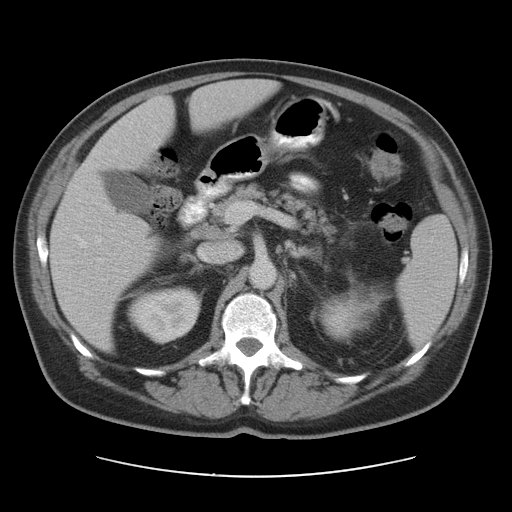
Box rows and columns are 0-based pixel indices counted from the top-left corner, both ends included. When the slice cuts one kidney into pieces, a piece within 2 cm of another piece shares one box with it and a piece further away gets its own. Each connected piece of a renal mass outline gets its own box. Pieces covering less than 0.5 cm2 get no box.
This is axial slice 68 of 95 (slice 1 is the lowest) of an abdominal CT with contrast; each pixel is 0.781 mm and the slice is 5.00 mm thick. Boxed on this slice (two kidney boxes), listed by box centre from the image's left to its right: (1) Box rows 285–344, columns 126–201: right kidney (outlined area 3,269 px, about 20.0 cm2). (2) Box rows 283–344, columns 315–395: left kidney (outlined area 2,749 px, about 16.8 cm2). No renal mass outline on this slice.
Acquired at 120 kVp and reconstructed with the STANDARD kernel.